Arterial-phase contrast-enhanced abdominal CT, axial slice 44 of 96 (counted from the lowest slice); tube voltage 120 kVp, convolution kernel STANDARD; slices 2.50 mm thick, 0.689 mm per pixel.
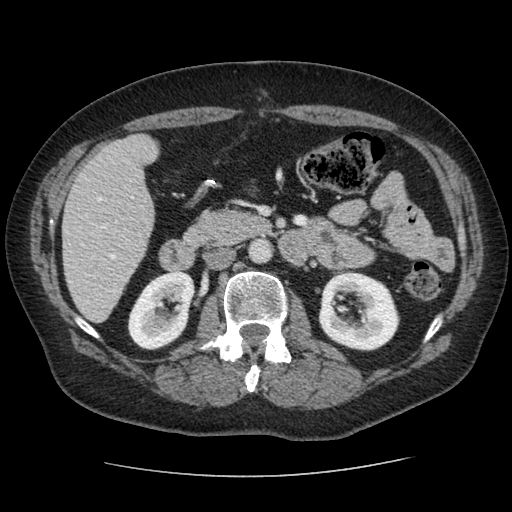
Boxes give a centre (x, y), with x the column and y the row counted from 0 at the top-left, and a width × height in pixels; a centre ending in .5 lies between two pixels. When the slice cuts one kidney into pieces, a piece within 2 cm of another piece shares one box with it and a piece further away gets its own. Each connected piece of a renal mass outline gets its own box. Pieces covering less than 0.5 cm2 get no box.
Two boxes on this slice (two kidney boxes), listed by box centre from the image's left to its right. (1) Right kidney, box centre (161, 310), 69 × 79 pixels (outlined area 3,892 px, about 18.5 cm2). (2) Box centre (358.5, 310.5), 82 × 80 pixels: left kidney (outlined area 4,923 px, about 23.4 cm2). No renal mass outline on this slice.